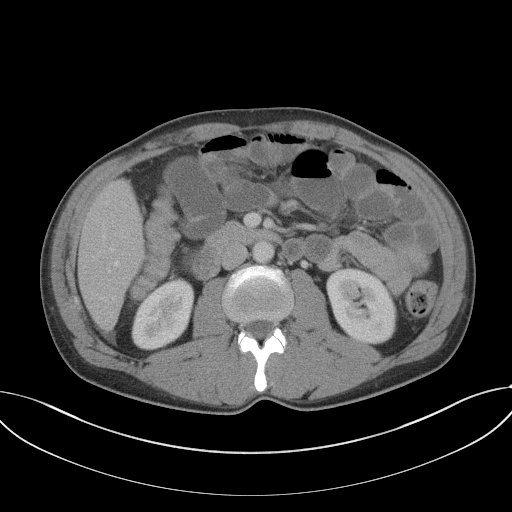
Abdominal CT with intravenous contrast, axial plane, 120 kVp, kernel B41f. Slice 61/102 from the bottom of the scan; thickness 5.00 mm; pixel size 0.807 mm.
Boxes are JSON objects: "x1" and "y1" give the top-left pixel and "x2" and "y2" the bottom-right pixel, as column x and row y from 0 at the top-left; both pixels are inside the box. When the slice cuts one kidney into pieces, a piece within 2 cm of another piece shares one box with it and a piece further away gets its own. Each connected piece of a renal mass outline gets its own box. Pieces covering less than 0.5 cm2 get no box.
Boxed on this slice (two kidney boxes), listed by box centre from the image's left to its right: (1) Right kidney, box {"x1": 131, "y1": 277, "x2": 194, "y2": 350} (outlined area 3,280 px, about 21.3 cm2). (2) Box {"x1": 326, "y1": 268, "x2": 397, "y2": 344}: left kidney (outlined area 4,160 px, about 27.1 cm2). This slice carries no renal mass outline.